One axial slice (59 of 90, counting up from the lowest) of a contrast-enhanced abdominal CT acquired with 120 kVp, kernel B31f; each pixel is 0.707 mm and the slice is 5.00 mm thick.
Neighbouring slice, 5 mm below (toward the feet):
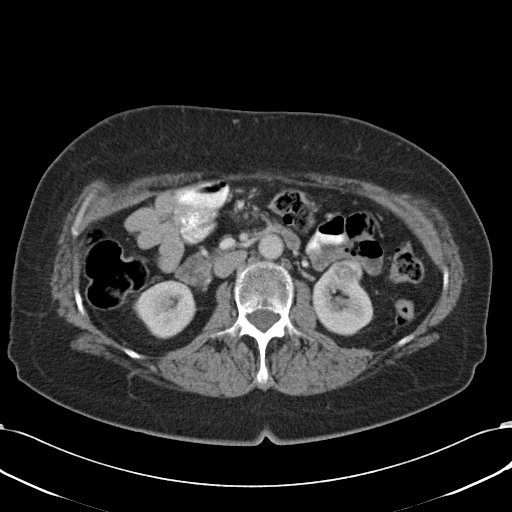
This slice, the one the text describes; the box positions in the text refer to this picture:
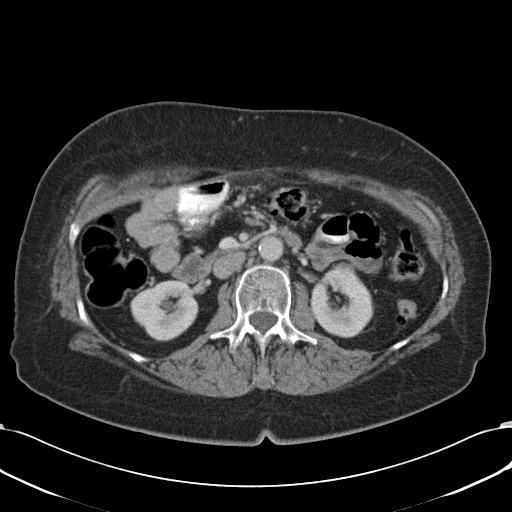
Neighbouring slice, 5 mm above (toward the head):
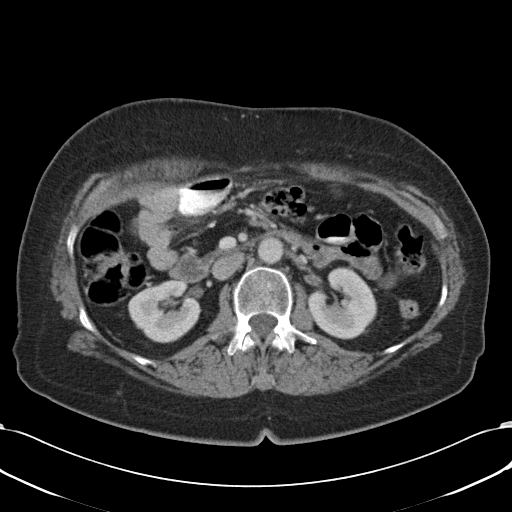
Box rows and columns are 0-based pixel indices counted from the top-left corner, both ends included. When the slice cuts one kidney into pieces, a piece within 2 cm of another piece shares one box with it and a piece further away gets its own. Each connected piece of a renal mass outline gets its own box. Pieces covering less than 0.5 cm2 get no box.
Three boxes on this slice (two kidney boxes and one renal mass box), listed by box centre from the image's left to its right. (1) Right kidney at rows 281–340, columns 132–198 (outlined area 2,973 px, about 14.9 cm2). (2) Left kidney at rows 270–337, columns 312–372 (outlined area 3,023 px, about 15.1 cm2). (3) Left renal mass, box rows 262–273, columns 334–355 (outlined area 174 px, about 0.9 cm2). This slice lies near the end of the left renal mass toward the head; the slices 5 mm below and 5 mm above it are shown too, and the boxes mark positions on this slice only.